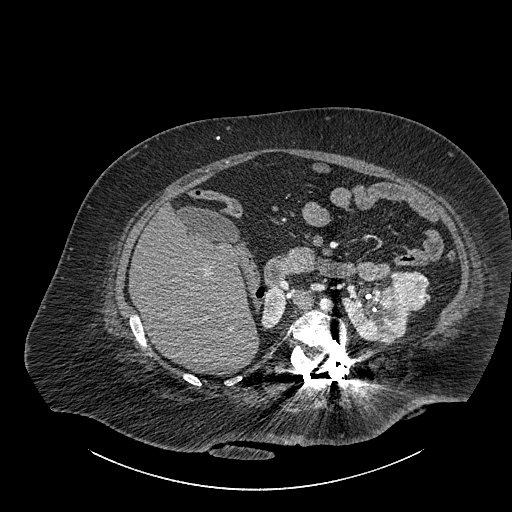
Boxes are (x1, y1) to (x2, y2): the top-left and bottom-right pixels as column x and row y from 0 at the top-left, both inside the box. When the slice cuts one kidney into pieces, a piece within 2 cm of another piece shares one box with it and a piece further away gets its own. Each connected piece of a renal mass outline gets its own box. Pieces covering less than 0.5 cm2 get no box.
Slice 553/834 of a contrast-enhanced abdominal CT, counting up from the lowest; pixel size 0.977 mm, slice thickness 1.00 mm. Two kidney boxes and one renal mass box on this slice; by box centre, from the image's left to its right: (1) Right part of the midline-crossing kidney, box (261, 287) to (285, 329) (outlined area 779 px, about 7.4 cm2). (2) Box (342, 285) to (416, 344): left part of the midline-crossing kidney (outlined area 2,611 px, about 24.9 cm2). (3) Box (392, 271) to (428, 309): renal mass (outlined area 1,191 px, about 11.4 cm2).
Scan settings: 140 kVp, I30f reconstruction kernel.